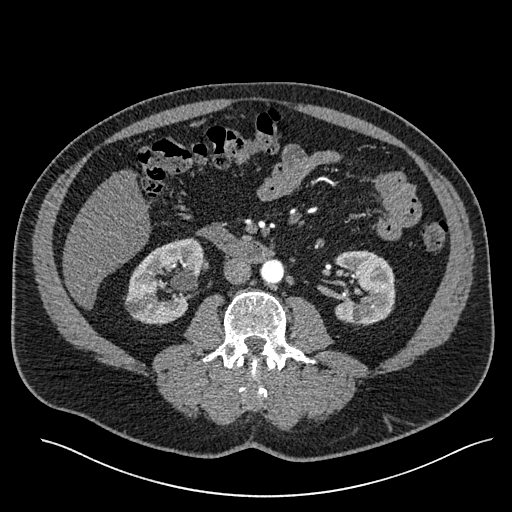
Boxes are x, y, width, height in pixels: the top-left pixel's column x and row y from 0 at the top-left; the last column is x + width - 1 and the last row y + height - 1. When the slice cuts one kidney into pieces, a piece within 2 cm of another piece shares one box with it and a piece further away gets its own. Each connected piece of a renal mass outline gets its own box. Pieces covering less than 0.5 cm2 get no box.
Slice 279/527 of a contrast-enhanced abdominal CT in the arterial phase, counting up from the lowest; pixel size 0.859 mm, slice thickness 1.00 mm. Boxed on this slice (two kidney boxes), listed by box centre from the image's left to its right: (1) Right kidney, box x 124, y 238, width 79, height 86 (outlined area 4,651 px, about 34.3 cm2). (2) Left kidney at x 334, y 250, width 62, height 77 (outlined area 3,767 px, about 27.8 cm2). No renal mass is outlined on this slice.
Tube voltage 120 kVp; convolution kernel I30f.